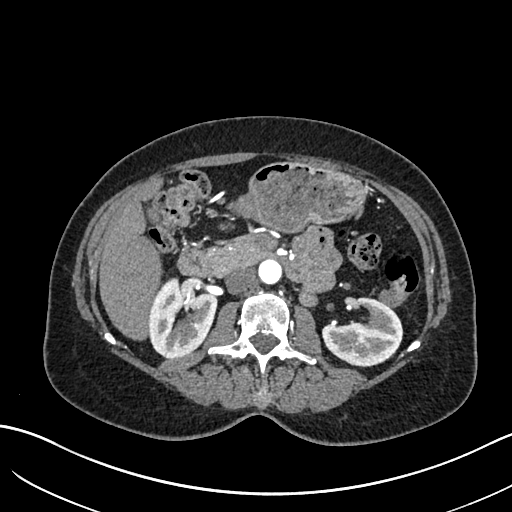
One axial slice (374 of 683, counting up from the lowest) of an arterial-phase abdominal CT acquired with 120 kVp, kernel I30f; each pixel is 0.738 mm and the slice is 1.00 mm thick.
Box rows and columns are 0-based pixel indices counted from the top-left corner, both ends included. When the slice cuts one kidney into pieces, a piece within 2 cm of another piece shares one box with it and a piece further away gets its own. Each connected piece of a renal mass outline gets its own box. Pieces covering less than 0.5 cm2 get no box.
Two boxes on this slice (two kidney boxes), listed by box centre from the image's left to its right. (1) Right kidney at rows 277–358, columns 148–217 (outlined area 4,168 px, about 22.7 cm2). (2) Box rows 296–366, columns 324–401: left kidney (outlined area 3,719 px, about 20.3 cm2). No renal mass outline on this slice.